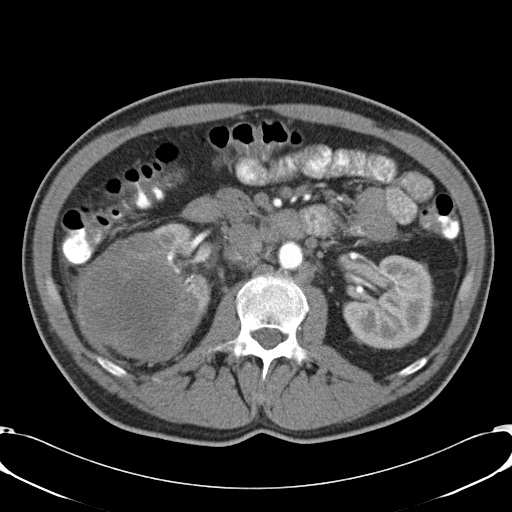
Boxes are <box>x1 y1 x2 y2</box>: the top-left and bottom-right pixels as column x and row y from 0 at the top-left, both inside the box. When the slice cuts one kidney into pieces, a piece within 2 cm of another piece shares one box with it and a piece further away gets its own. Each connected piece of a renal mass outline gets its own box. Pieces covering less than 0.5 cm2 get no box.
Contrast-enhanced abdominal CT, axial slice 24 of 57 (counted from the lowest slice); 5.00 mm thick, 0.732 mm per pixel. Two kidney boxes and one renal mass box on this slice; by box centre, from the image's left to its right: (1) Right renal mass at <box>75 231 203 362</box> (outlined area 11,724 px, about 62.9 cm2). (2) At <box>150 222 211 314</box>: right kidney (outlined area 2,262 px, about 12.1 cm2). (3) Left kidney: <box>343 254 434 348</box> (outlined area 6,448 px, about 34.6 cm2).
Scan settings: 120 kVp, B31f reconstruction kernel.